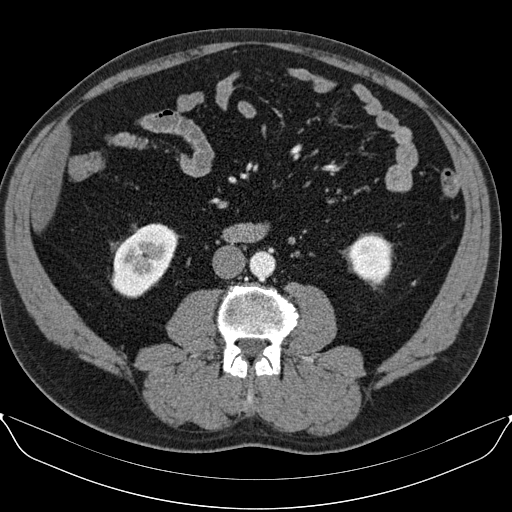
Arterial-phase contrast-enhanced abdominal CT, axial slice 32 of 96 (counted from the lowest slice); tube voltage 130 kVp, convolution kernel B30s; slices 3.00 mm thick, 0.781 mm per pixel.
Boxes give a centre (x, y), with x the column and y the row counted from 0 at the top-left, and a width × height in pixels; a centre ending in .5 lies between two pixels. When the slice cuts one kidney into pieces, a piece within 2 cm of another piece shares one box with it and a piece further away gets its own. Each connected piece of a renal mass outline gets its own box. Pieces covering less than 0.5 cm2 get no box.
Boxed on this slice (two kidney boxes), listed by box centre from the image's left to its right: (1) Right kidney in a box with centre (144, 260), 69 × 75 pixels (outlined area 3,477 px, about 21.2 cm2). (2) Left kidney in a box with centre (369.5, 260), 44 × 51 pixels (outlined area 1,759 px, about 10.7 cm2). No renal mass is outlined on this slice.